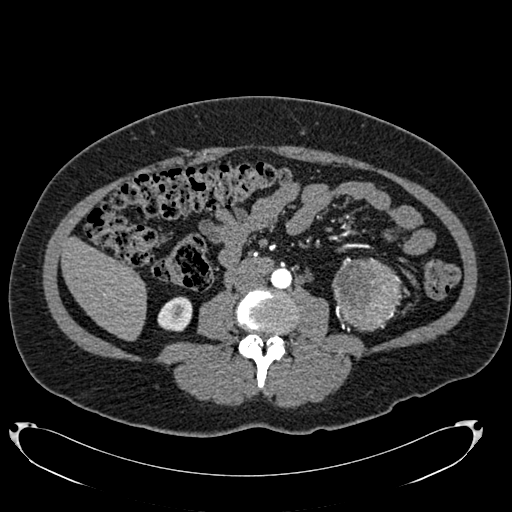
Abdominal CT with intravenous contrast, arterial phase, axial plane, 120 kVp, kernel B20f. Slice 330/634 from the bottom of the scan; thickness 1.00 mm; pixel size 0.838 mm.
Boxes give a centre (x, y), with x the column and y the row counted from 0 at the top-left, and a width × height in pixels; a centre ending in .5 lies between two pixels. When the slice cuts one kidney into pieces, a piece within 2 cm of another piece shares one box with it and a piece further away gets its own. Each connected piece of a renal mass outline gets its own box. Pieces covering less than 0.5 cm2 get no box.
One kidney box and one renal mass box on this slice; by box centre, from the image's left to its right: (1) Right kidney, box centre (174.5, 313.5), 36 × 36 pixels (outlined area 971 px, about 6.8 cm2). (2) Box centre (367, 294), 71 × 75 pixels: left renal mass (outlined area 4,013 px, about 28.2 cm2); it sits over 1 cm from every kidney outline on this slice, but the same outlined renal mass comes within 1 cm of the kidney on another slice.